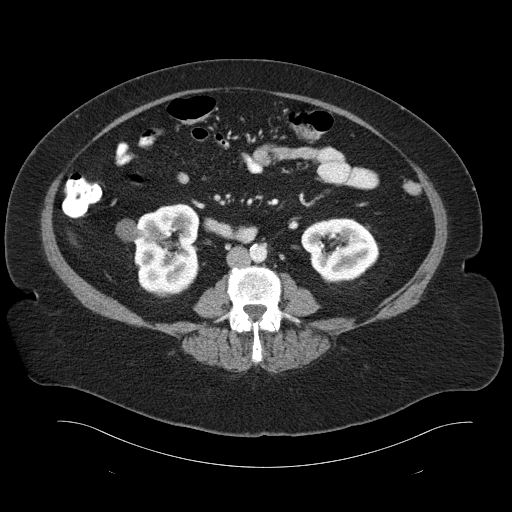
Contrast-enhanced abdominal CT, axial slice 50 of 93 (counted from the lowest slice); tube voltage 120 kVp, convolution kernel B30f; slices 5.00 mm thick, 0.938 mm per pixel.
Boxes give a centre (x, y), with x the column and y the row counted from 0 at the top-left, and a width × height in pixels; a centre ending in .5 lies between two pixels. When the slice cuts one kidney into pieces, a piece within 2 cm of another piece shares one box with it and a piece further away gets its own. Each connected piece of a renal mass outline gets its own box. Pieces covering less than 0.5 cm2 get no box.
Boxed on this slice (two kidney boxes), listed by box centre from the image's left to its right: (1) Right kidney, box centre (157.5, 250), 84 × 95 pixels (outlined area 5,535 px, about 48.6 cm2). (2) Left kidney, box centre (340, 250.5), 79 × 66 pixels (outlined area 3,826 px, about 33.6 cm2). No renal mass is outlined on this slice.